One axial slice (378 of 723, counting up from the lowest) of an arterial-phase abdominal CT acquired with 120 kVp, kernel B30f; each pixel is 0.895 mm and the slice is 1.00 mm thick.
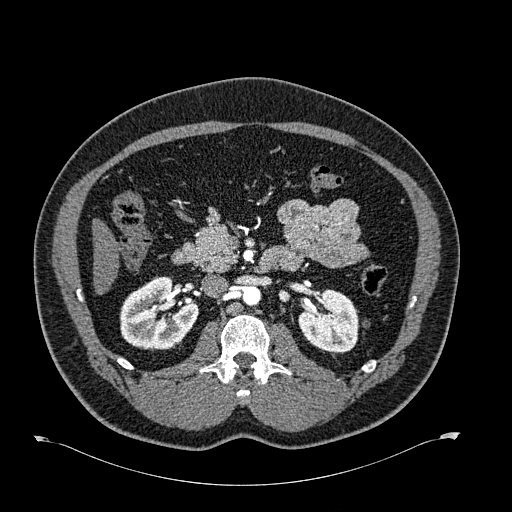
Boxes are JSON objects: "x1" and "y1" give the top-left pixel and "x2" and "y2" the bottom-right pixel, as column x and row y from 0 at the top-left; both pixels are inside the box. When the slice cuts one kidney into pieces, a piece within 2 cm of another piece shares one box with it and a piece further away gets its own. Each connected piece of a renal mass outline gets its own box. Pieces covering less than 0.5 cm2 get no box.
Two kidney boxes on this slice; by box centre, from the image's left to its right: (1) Right kidney at {"x1": 120, "y1": 276, "x2": 198, "y2": 350} (outlined area 4,285 px, about 34.3 cm2). (2) Box {"x1": 298, "y1": 289, "x2": 359, "y2": 352}: left kidney (outlined area 2,955 px, about 23.6 cm2). This slice carries no renal mass outline.